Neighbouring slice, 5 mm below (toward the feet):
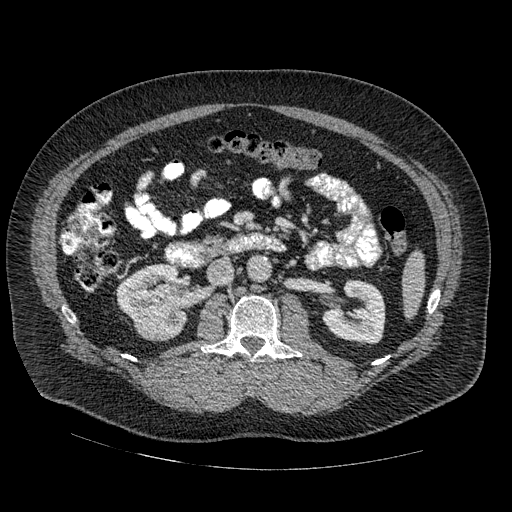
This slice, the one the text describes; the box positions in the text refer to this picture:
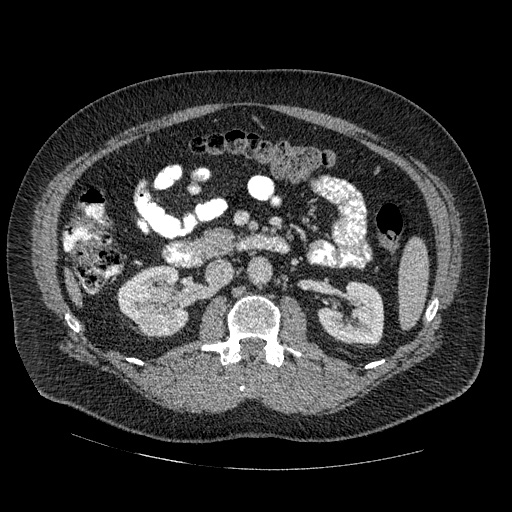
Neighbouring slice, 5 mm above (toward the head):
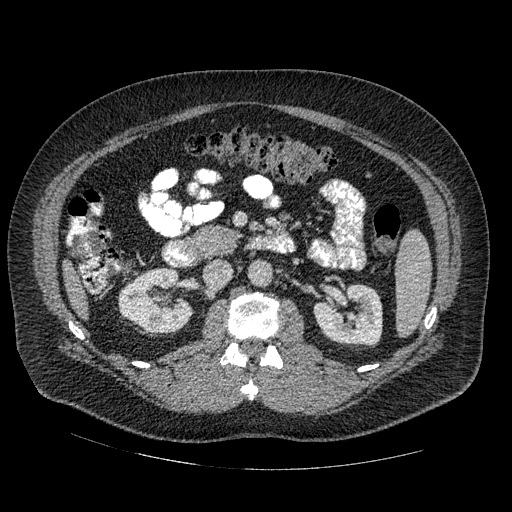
Arterial-phase contrast-enhanced abdominal CT, axial slice 273 of 445 (counted from the lowest slice); tube voltage 120 kVp, convolution kernel STANDARD; slices 1.25 mm thick, 0.863 mm per pixel.
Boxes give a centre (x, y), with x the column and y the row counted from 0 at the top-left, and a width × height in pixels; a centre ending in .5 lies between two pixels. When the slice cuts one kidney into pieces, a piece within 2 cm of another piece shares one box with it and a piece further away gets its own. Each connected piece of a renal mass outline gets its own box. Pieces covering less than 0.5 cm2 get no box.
Two kidney boxes and one renal mass box on this slice; by box centre, from the image's left to its right: (1) Right kidney, box centre (153, 300.5), 73 × 72 pixels (outlined area 3,221 px, about 24.0 cm2). (2) Box centre (157, 321), 33 × 27 pixels: right renal mass (outlined area 650 px, about 4.8 cm2). (3) Left kidney, box centre (351.5, 312), 66 × 63 pixels (outlined area 3,040 px, about 22.7 cm2). This slice is near the end of the right renal mass toward the head, so the slices 5 mm below and 5 mm above it are shown as well; the boxes refer to this slice only.